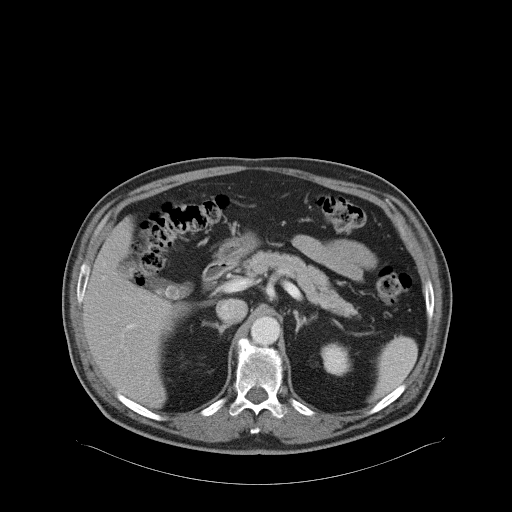
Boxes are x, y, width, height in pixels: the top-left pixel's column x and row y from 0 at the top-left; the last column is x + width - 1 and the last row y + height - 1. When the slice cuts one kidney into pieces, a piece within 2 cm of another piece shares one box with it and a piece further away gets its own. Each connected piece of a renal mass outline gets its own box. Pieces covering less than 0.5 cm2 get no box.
Arterial-phase contrast-enhanced abdominal CT, axial slice 58 of 68 (counted from the lowest slice); 5.00 mm thick, 0.961 mm per pixel. Two boxes on this slice (two kidney boxes), listed by box centre from the image's left to its right. (1) Box x 160, y 323, width 13, height 11: right kidney (outlined area 116 px, about 1.1 cm2). (2) Left kidney at x 320, y 342, width 32, height 35 (outlined area 821 px, about 7.6 cm2). No renal mass outline on this slice.
Acquired at 120 kVp and reconstructed with the B31f kernel.